Arterial-phase contrast-enhanced abdominal CT, axial slice 41 of 68 (counted from the lowest slice); tube voltage 120 kVp, convolution kernel B31f; slices 5.00 mm thick, 0.961 mm per pixel.
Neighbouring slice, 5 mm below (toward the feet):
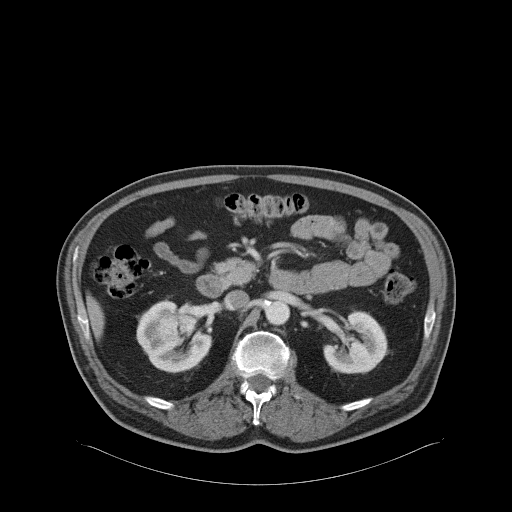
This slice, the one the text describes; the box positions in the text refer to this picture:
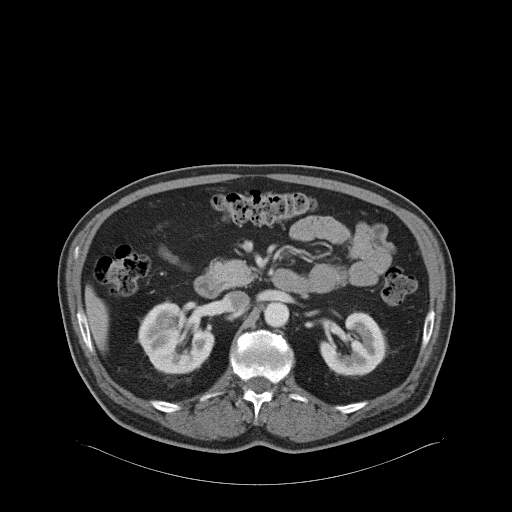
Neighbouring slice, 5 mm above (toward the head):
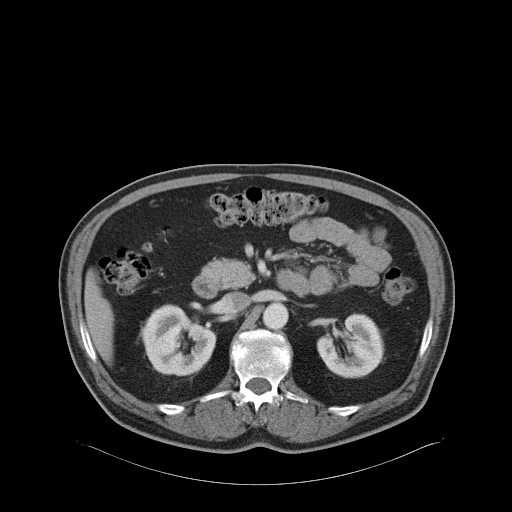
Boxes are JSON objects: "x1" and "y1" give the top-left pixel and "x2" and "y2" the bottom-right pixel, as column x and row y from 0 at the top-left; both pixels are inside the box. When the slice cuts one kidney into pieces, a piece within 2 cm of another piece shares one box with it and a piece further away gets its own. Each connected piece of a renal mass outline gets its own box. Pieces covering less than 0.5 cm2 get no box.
Three boxes on this slice (two kidney boxes and one renal mass box), listed by box centre from the image's left to its right. (1) Box {"x1": 154, "y1": 326, "x2": 181, "y2": 348}: right renal mass (outlined area 523 px, about 4.8 cm2). (2) Right kidney, box {"x1": 138, "y1": 300, "x2": 213, "y2": 374} (outlined area 3,514 px, about 32.4 cm2). (3) Left kidney, box {"x1": 319, "y1": 311, "x2": 388, "y2": 376} (outlined area 3,063 px, about 28.3 cm2). This slice lies near the end of the right renal mass toward the head; the slices 5 mm below and 5 mm above it are shown too, and the boxes mark positions on this slice only.